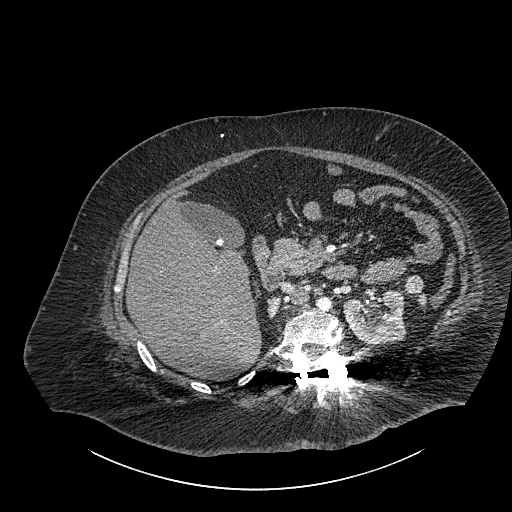
Abdominal CT with intravenous contrast, axial plane, 140 kVp, kernel I30f. Slice 573/834 from the bottom of the scan; thickness 1.00 mm; pixel size 0.977 mm.
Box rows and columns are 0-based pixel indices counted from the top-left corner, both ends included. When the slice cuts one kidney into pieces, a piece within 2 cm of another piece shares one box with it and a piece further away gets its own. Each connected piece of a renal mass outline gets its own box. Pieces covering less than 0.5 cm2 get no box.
Three boxes on this slice (two kidney boxes and one renal mass box), listed by box centre from the image's left to its right. (1) Box rows 298–313, columns 268–277: right part of the midline-crossing kidney (outlined area 117 px, about 1.1 cm2). (2) Left part of the midline-crossing kidney, box rows 290–344, columns 343–405 (outlined area 2,701 px, about 25.8 cm2). (3) Renal mass, box rows 275–301, columns 404–424 (outlined area 390 px, about 3.7 cm2).